One axial slice (13 of 103, counting up from the lowest) of a contrast-enhanced abdominal CT acquired with 120 kVp, kernel STANDARD; each pixel is 0.820 mm and the slice is 2.50 mm thick.
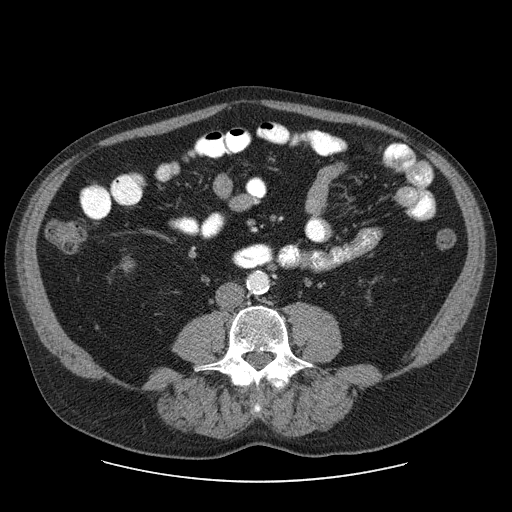
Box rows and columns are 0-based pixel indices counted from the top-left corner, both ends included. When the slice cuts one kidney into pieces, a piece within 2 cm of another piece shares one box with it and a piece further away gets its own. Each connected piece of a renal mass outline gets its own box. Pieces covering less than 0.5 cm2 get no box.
Box rows 260–272, columns 121–134: right kidney (outlined area 111 px, about 0.7 cm2). No renal mass outline on this slice.